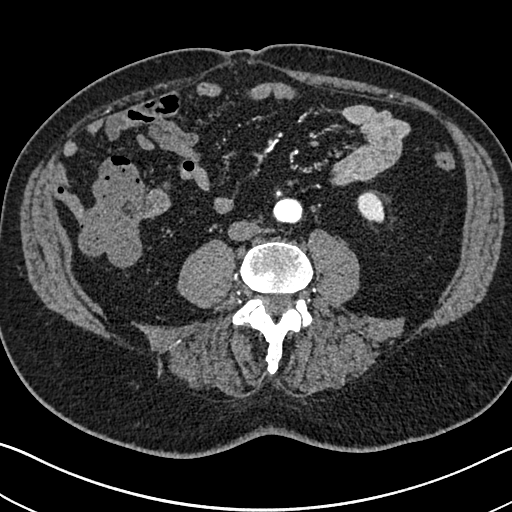
Arterial-phase contrast-enhanced abdominal CT, axial slice 273 of 705 (counted from the lowest slice); tube voltage 120 kVp, convolution kernel I30f; slices 1.00 mm thick, 0.703 mm per pixel.
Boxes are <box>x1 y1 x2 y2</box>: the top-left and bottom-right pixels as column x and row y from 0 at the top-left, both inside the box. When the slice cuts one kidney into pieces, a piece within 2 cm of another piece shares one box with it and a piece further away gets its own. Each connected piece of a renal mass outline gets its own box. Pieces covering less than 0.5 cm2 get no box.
Left kidney: <box>356 191 384 223</box> (outlined area 681 px, about 3.4 cm2). No renal mass outline on this slice.